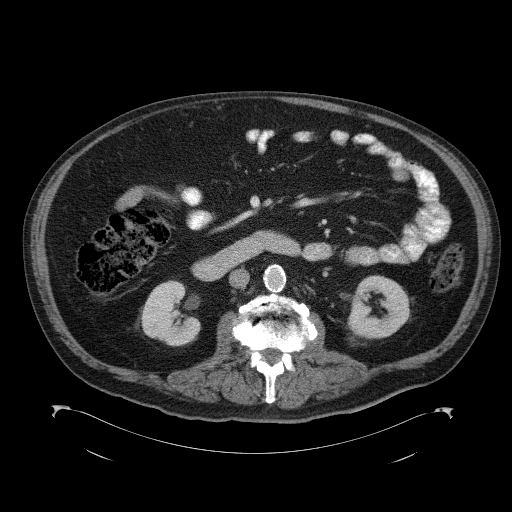
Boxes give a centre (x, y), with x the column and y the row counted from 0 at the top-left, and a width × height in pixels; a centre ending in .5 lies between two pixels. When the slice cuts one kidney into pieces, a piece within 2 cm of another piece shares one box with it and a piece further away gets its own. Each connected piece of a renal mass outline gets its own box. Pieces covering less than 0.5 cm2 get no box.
Contrast-enhanced abdominal CT, axial slice 54 of 98 (counted from the lowest slice); 5.00 mm thick, 0.965 mm per pixel. Boxed on this slice (two kidney boxes), listed by box centre from the image's left to its right: (1) Right kidney, box centre (170, 313), 61 × 67 pixels (outlined area 2,848 px, about 26.5 cm2). (2) Left kidney, box centre (378.5, 307), 62 × 65 pixels (outlined area 2,874 px, about 26.8 cm2). No renal mass is outlined on this slice.
Scan settings: 120 kVp, B41f reconstruction kernel.